One axial slice (84 of 101, counting up from the lowest) of a contrast-enhanced abdominal CT acquired with 100 kVp, kernel I40f; each pixel is 0.879 mm and the slice is 5.00 mm thick.
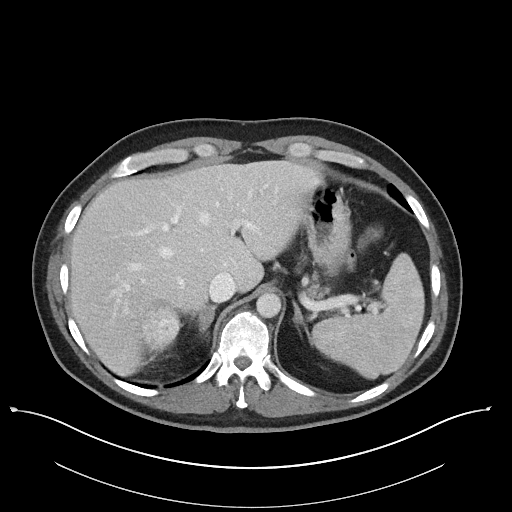
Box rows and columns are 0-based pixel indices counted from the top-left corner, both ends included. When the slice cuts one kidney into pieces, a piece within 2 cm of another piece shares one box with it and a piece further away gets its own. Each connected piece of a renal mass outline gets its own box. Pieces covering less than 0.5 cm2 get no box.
Right renal mass at rows 306–350, columns 141–179 (outlined area 1,337 px, about 10.3 cm2); this slice has no kidney outline, though on another slice the same outlined renal mass lies within 1 cm of the kidney.